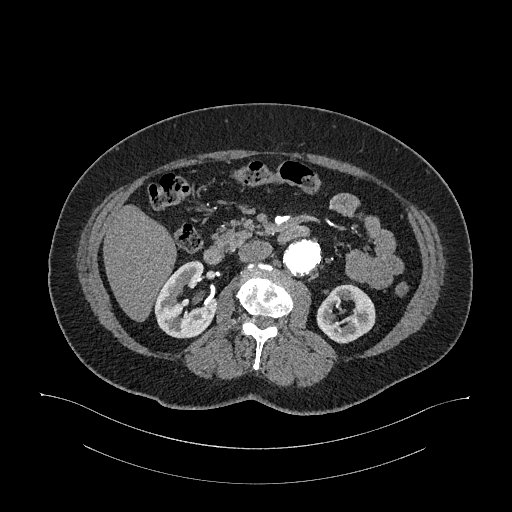
Axial slice 636 of 987 of a contrast-enhanced abdominal CT in the arterial phase (slice 1 is the lowest), 120 kVp, kernel I26f; 1.00 mm slice thickness and 0.977 mm pixels.
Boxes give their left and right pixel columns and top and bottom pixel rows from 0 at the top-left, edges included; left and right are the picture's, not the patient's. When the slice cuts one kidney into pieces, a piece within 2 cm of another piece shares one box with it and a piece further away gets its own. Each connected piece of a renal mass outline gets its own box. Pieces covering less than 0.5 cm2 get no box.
Two kidney boxes on this slice; by box centre, from the image's left to its right: (1) Right kidney in the box with left 153, top 260, right 216, bottom 338 (outlined area 3,300 px, about 31.5 cm2). (2) Left kidney, the box with left 316, top 284, right 375, bottom 343 (outlined area 2,439 px, about 23.3 cm2). No renal mass outline on this slice.